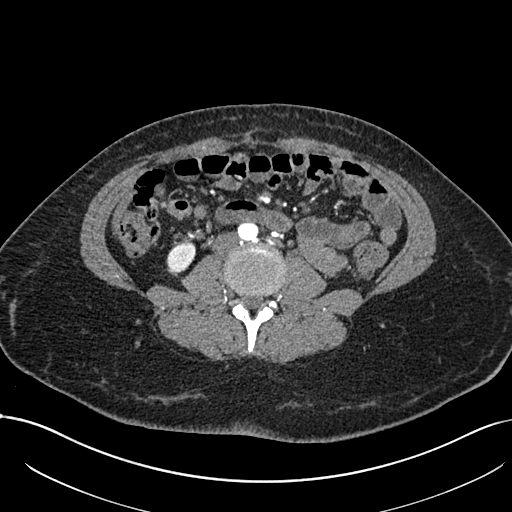
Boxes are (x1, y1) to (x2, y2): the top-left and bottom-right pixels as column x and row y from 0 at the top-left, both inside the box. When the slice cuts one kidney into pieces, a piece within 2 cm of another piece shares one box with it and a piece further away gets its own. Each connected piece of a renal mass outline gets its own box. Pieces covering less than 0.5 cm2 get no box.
Arterial-phase contrast-enhanced abdominal CT, axial slice 309 of 738 (counted from the lowest slice); 1.00 mm thick, 0.789 mm per pixel. Right kidney, box (166, 240) to (195, 275) (outlined area 779 px, about 4.9 cm2). No renal mass is outlined on this slice.
Tube voltage 120 kVp; convolution kernel I30f.